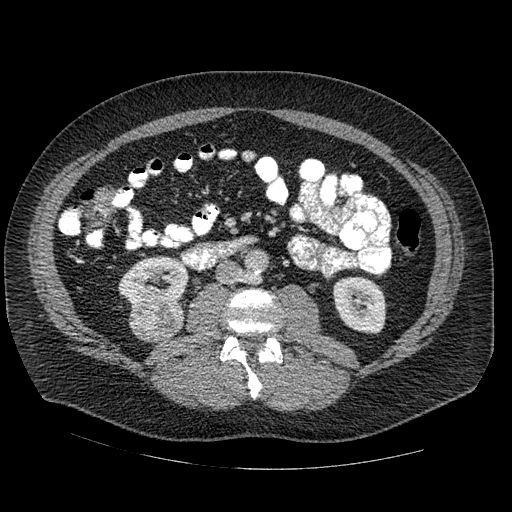
Abdominal CT with intravenous contrast, arterial phase, axial plane, 120 kVp, kernel STANDARD. Slice 250/445 from the bottom of the scan; thickness 1.25 mm; pixel size 0.863 mm.
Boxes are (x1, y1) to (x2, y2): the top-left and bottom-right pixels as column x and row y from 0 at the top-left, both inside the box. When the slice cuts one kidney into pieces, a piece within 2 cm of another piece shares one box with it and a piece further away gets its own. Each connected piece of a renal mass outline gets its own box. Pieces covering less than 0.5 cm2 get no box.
Boxed on this slice (two kidney boxes and one renal mass box), listed by box centre from the image's left to its right: (1) Right kidney from (118, 257) to (189, 307) (outlined area 2,601 px, about 19.4 cm2). (2) Right renal mass, box (129, 301) to (184, 342) (outlined area 1,921 px, about 14.3 cm2). (3) Left kidney from (333, 276) to (386, 334) (outlined area 2,459 px, about 18.3 cm2).